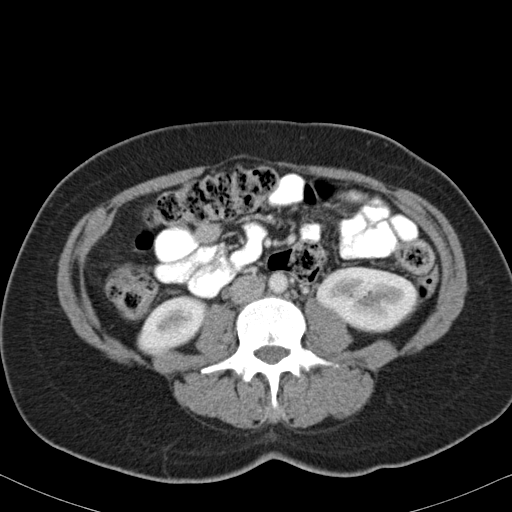
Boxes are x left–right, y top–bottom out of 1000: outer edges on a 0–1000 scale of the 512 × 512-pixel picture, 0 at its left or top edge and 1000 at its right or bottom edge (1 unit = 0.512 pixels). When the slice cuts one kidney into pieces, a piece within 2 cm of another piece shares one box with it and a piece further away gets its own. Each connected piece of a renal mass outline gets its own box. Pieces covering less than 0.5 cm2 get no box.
Slice 52/82 of a contrast-enhanced abdominal CT in the arterial phase, counting up from the lowest; pixel size 0.625 mm, slice thickness 5.00 mm. Boxed on this slice (two kidney boxes), listed by box centre from the image's left to its right: (1) Box x 268–406, y 576–699 out of 1000: right kidney (outlined area 2,938 px, about 11.5 cm2). (2) Left kidney at x 617–818, y 520–650 out of 1000 (outlined area 4,998 px, about 19.5 cm2). No renal mass outline on this slice.
Acquired at 120 kVp and reconstructed with the B31f kernel.